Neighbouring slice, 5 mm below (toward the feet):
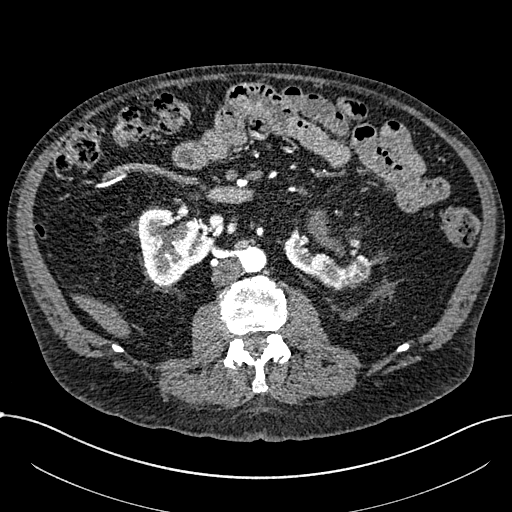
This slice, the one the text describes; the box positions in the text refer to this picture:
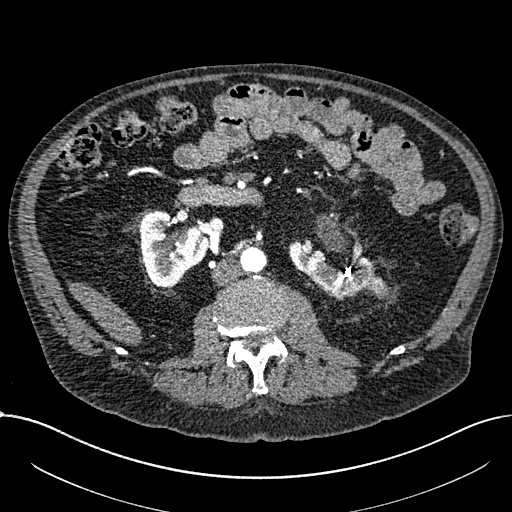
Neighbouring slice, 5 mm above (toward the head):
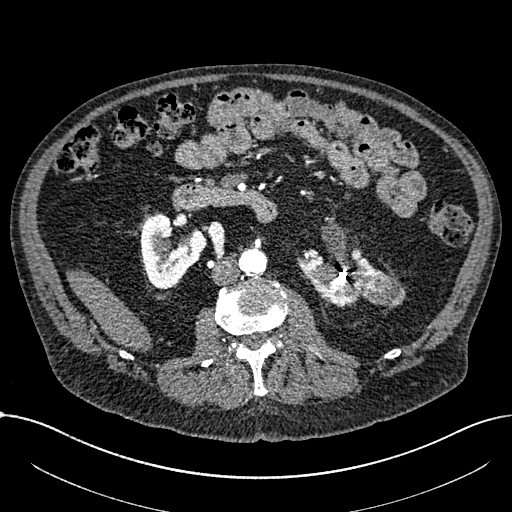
Axial slice 357 of 1059 of a contrast-enhanced abdominal CT in the arterial phase (slice 1 is the lowest), 100 kVp, kernel I30f; 1.00 mm slice thickness and 0.811 mm pixels.
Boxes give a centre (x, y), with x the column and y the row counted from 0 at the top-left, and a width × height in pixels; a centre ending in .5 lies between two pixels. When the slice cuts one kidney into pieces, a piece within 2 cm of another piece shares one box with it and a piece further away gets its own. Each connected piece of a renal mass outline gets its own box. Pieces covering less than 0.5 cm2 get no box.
Two kidney boxes and one renal mass box on this slice; by box centre, from the image's left to its right: (1) Right part of the midline-crossing kidney in a box with centre (174, 248.5), 71 × 78 pixels (outlined area 3,701 px, about 24.3 cm2). (2) Left part of the midline-crossing kidney in a box with centre (339, 269.5), 103 × 60 pixels (outlined area 3,320 px, about 21.8 cm2). (3) Box centre (379.5, 287), 16 × 13 pixels: renal mass (outlined area 139 px, about 0.9 cm2). This slice lies near the end of a renal mass toward the feet; the slices 5 mm below and 5 mm above it are shown too, and the boxes mark positions on this slice only.